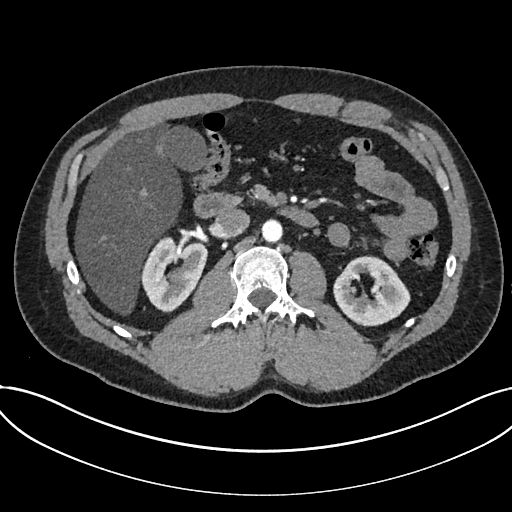
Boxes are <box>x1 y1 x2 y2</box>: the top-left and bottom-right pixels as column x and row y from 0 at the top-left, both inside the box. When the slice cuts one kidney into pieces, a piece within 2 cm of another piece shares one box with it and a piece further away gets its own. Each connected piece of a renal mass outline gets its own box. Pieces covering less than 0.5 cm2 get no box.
Arterial-phase contrast-enhanced abdominal CT, axial slice 421 of 735 (counted from the lowest slice); 1.00 mm thick, 0.789 mm per pixel. Two kidney boxes on this slice; by box centre, from the image's left to its right: (1) At <box>141 235 208 312</box>: kidney (outlined area 3,560 px, about 22.2 cm2). (2) Kidney at <box>333 255 410 326</box> (outlined area 3,733 px, about 23.2 cm2). This slice carries no renal mass outline.
Acquired at 120 kVp and reconstructed with the I30f kernel.